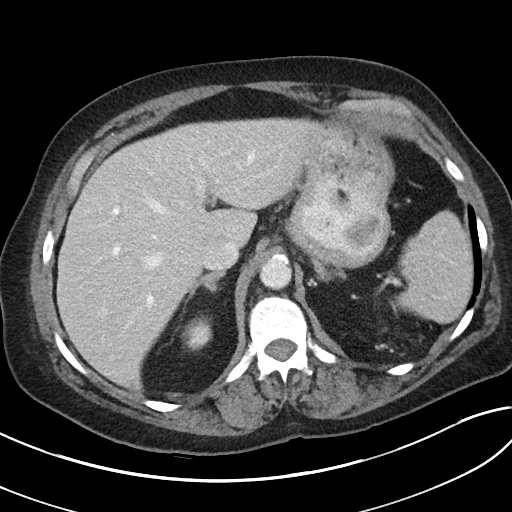
Contrast-enhanced abdominal CT, axial slice 69 of 80 (counted from the lowest slice); tube voltage 100 kVp, convolution kernel I40f; slices 5.00 mm thick, 0.703 mm per pixel.
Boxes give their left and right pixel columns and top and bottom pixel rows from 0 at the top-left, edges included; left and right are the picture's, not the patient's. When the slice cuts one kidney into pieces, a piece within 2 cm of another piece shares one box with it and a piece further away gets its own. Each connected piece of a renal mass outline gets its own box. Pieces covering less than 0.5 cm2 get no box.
Right kidney, the box with left 180, top 314, right 212, bottom 348 (outlined area 798 px, about 3.9 cm2). No renal mass is outlined on this slice.